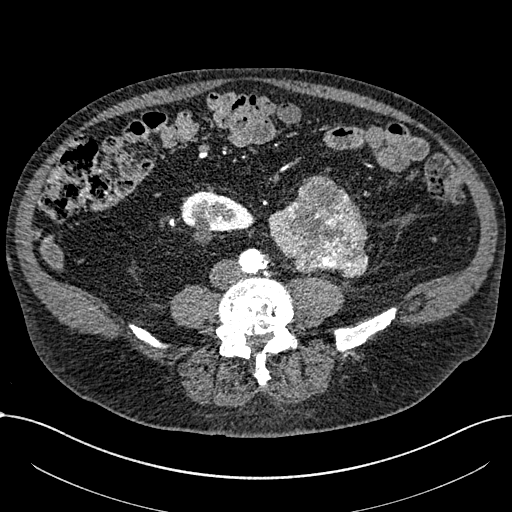
Arterial-phase contrast-enhanced abdominal CT, axial slice 227 of 1059 (counted from the lowest slice); tube voltage 100 kVp, convolution kernel I30f; slices 1.00 mm thick, 0.811 mm per pixel.
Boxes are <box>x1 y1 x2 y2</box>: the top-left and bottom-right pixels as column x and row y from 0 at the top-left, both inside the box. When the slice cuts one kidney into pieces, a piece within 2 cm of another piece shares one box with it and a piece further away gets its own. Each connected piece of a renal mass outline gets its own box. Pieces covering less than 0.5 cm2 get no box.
Boxed on this slice (one kidney box and one renal mass box), listed by box centre from the image's left to its right: (1) At <box>181 191 254 245</box>: right part of the midline-crossing kidney (outlined area 2,464 px, about 16.2 cm2). (2) Renal mass: <box>268 175 368 278</box> (outlined area 7,199 px, about 47.3 cm2); here it is more than 1 cm from any kidney outline, though on another slice the same outlined renal mass lies within 1 cm of the kidney.